Arterial-phase contrast-enhanced abdominal CT, axial slice 122 of 470 (counted from the lowest slice); tube voltage 120 kVp, convolution kernel I26f; slices 1.00 mm thick, 0.938 mm per pixel.
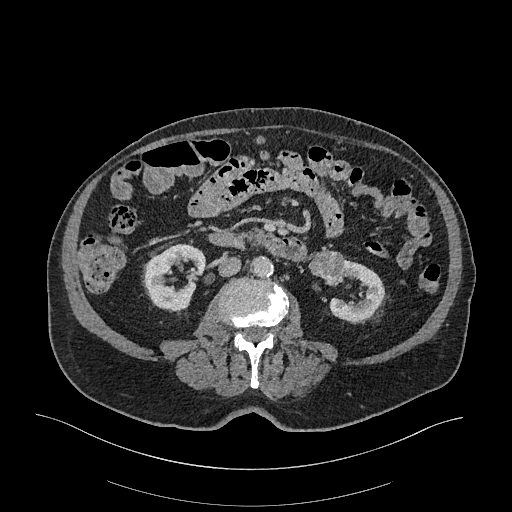
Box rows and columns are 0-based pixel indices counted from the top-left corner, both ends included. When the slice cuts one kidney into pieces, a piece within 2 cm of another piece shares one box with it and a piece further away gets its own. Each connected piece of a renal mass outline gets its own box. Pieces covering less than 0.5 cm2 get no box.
Boxed on this slice (two kidney boxes and one renal mass box), listed by box centre from the image's left to its right: (1) Right kidney at rows 244–312, columns 142–205 (outlined area 2,975 px, about 26.1 cm2). (2) Left renal mass at rows 249–285, columns 308–343 (outlined area 976 px, about 8.6 cm2). (3) Left kidney, box rows 257–323, columns 328–384 (outlined area 2,071 px, about 18.2 cm2).